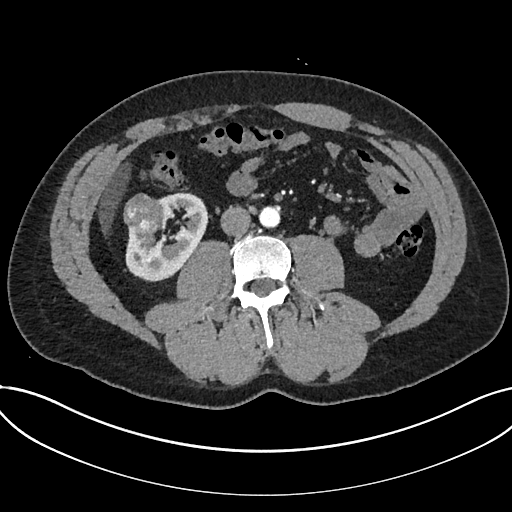
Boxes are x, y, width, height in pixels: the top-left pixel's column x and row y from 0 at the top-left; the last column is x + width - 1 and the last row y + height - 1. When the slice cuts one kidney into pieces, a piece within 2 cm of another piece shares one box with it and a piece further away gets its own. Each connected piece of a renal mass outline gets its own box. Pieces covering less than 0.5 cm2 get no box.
This is axial slice 338 of 735 (slice 1 is the lowest) of an arterial-phase abdominal CT with contrast; each pixel is 0.789 mm and the slice is 1.00 mm thick. Two boxes on this slice (one kidney box and one renal mass box), listed by box centre from the image's left to its right. (1) Renal mass at x 123, y 193, width 42, height 41 (outlined area 1,320 px, about 8.2 cm2). (2) Kidney, box x 125, y 192, width 83, height 90 (outlined area 4,283 px, about 26.7 cm2).
Acquired at 120 kVp and reconstructed with the I30f kernel.